Arterial-phase contrast-enhanced abdominal CT, axial slice 144 of 262 (counted from the lowest slice); tube voltage 120 kVp, convolution kernel STANDARD; slices 2.50 mm thick, 0.703 mm per pixel.
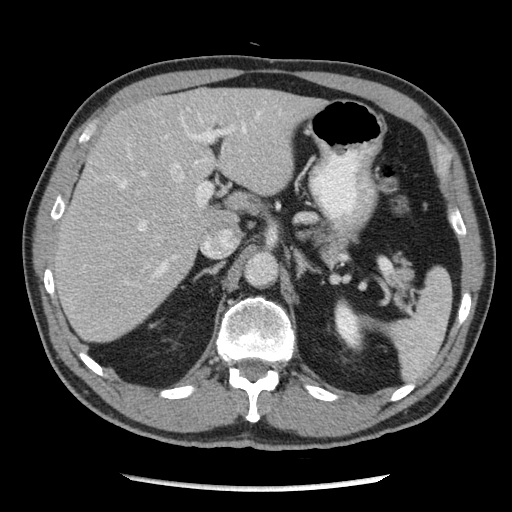
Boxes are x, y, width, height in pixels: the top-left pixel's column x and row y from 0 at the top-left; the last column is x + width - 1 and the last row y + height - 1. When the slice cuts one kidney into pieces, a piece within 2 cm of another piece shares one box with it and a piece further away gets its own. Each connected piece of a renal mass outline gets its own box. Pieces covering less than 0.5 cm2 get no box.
Left kidney, box x 334, y 298, width 30, height 55 (outlined area 1,059 px, about 5.2 cm2). This slice carries no renal mass outline.